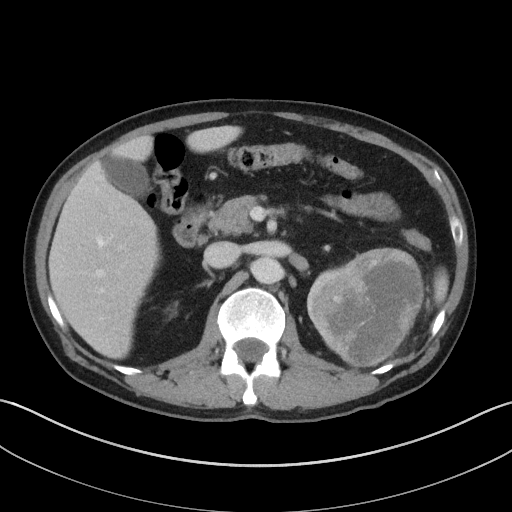
Contrast-enhanced abdominal CT, axial slice 72 of 143 (counted from the lowest slice); tube voltage 100 kVp, convolution kernel I41f; slices 5.00 mm thick, 0.734 mm per pixel.
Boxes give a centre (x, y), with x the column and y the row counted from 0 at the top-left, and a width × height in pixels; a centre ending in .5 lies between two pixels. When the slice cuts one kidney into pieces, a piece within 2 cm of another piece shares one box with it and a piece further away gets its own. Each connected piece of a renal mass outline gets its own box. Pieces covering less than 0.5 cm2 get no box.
Boxed on this slice (one kidney box and one renal mass box), listed by box centre from the image's left to its right: (1) Left kidney, box centre (332.5, 316.5), 54 × 104 pixels (outlined area 1,745 px, about 9.4 cm2). (2) Box centre (377.5, 307), 94 × 121 pixels: left renal mass (outlined area 8,608 px, about 46.4 cm2).